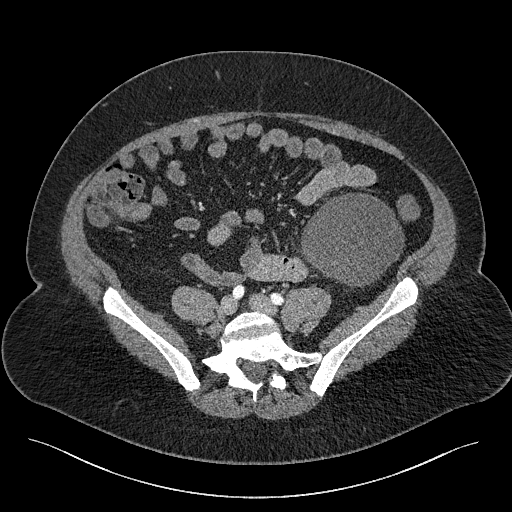
Contrast-enhanced abdominal CT, axial slice 38 of 301 (counted from the lowest slice); tube voltage 120 kVp, convolution kernel I40f; slices 2.00 mm thick, 0.859 mm per pixel.
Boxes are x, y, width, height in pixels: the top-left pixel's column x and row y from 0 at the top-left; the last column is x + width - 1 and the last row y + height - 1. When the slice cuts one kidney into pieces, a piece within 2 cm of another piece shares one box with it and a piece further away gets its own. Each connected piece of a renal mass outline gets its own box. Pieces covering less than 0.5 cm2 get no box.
Box x 299, y 193, width 106, height 96: left renal mass (outlined area 7,211 px, about 53.3 cm2); no kidney outline appears on this slice, but the same outlined renal mass comes within 1 cm of the kidney on another slice.